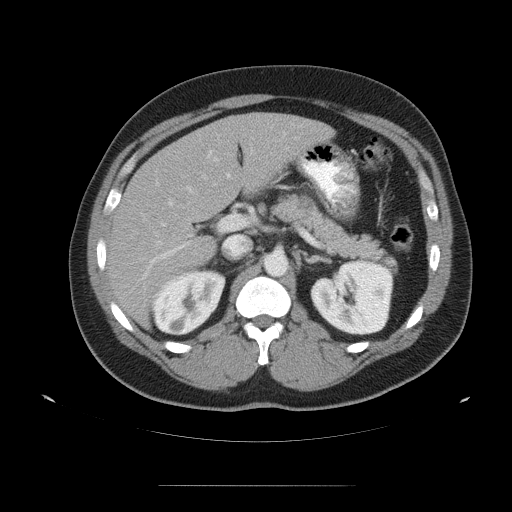
Axial slice 74 of 99 of a contrast-enhanced abdominal CT (slice 1 is the lowest), 120 kVp, kernel STANDARD; 5.00 mm slice thickness and 0.938 mm pixels.
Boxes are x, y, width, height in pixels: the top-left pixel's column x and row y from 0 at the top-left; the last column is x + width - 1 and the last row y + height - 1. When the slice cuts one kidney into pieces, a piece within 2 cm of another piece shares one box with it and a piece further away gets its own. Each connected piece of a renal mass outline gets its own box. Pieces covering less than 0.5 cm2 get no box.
Boxed on this slice (two kidney boxes), listed by box centre from the image's left to its right: (1) Right kidney, box x 152, y 269, width 74, height 67 (outlined area 3,617 px, about 31.8 cm2). (2) Left kidney, box x 310, y 259, width 86, height 77 (outlined area 4,867 px, about 42.8 cm2). This slice carries no renal mass outline.